Abdominal CT with intravenous contrast, arterial phase, axial plane, 140 kVp, kernel STANDARD. Slice 84/129 from the bottom of the scan; thickness 3.75 mm; pixel size 0.938 mm.
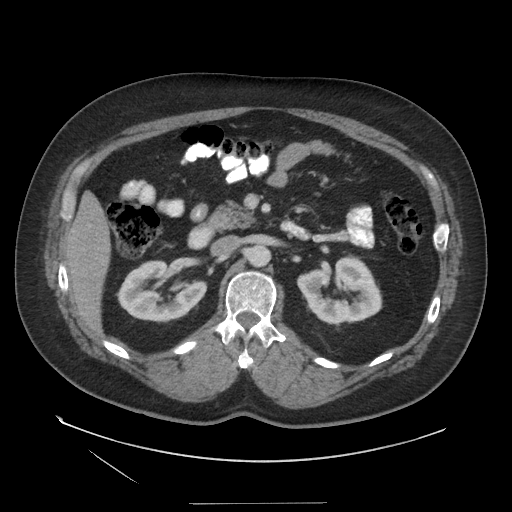
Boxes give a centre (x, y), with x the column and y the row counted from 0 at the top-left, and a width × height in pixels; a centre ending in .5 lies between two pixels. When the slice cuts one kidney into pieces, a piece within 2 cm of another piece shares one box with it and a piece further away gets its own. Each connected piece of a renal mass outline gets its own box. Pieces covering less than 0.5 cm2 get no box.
Two kidney boxes on this slice; by box centre, from the image's left to its right: (1) Right kidney, box centre (162.5, 290.5), 90 × 64 pixels (outlined area 3,875 px, about 34.1 cm2). (2) Left kidney in a box with centre (339, 290), 87 × 71 pixels (outlined area 4,163 px, about 36.6 cm2). No renal mass is outlined on this slice.